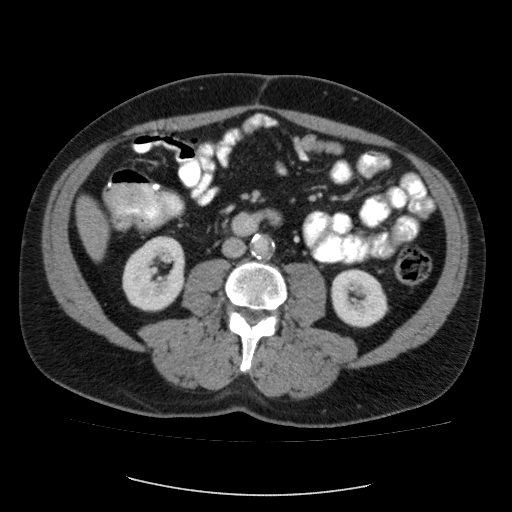
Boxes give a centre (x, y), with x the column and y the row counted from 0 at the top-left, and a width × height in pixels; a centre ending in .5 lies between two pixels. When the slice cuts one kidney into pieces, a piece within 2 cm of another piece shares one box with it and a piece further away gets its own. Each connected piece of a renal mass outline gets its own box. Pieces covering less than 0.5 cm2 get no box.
Slice 46/87 of a contrast-enhanced abdominal CT, counting up from the lowest; pixel size 0.812 mm, slice thickness 5.00 mm. Two kidney boxes on this slice; by box centre, from the image's left to its right: (1) Box centre (153.5, 273), 64 × 77 pixels: right kidney (outlined area 3,688 px, about 24.3 cm2). (2) Left kidney in a box with centre (359, 298), 59 × 59 pixels (outlined area 2,652 px, about 17.5 cm2). This slice carries no renal mass outline.
Scan settings: 120 kVp, FC12 reconstruction kernel.